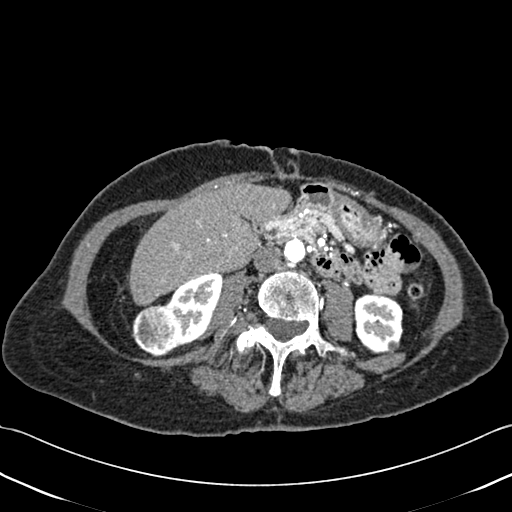
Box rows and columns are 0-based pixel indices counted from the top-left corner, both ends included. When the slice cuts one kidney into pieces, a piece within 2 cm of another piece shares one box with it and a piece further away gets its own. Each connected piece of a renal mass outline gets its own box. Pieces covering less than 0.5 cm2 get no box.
Slice 190/433 of a contrast-enhanced abdominal CT, counting up from the lowest; pixel size 0.672 mm, slice thickness 1.00 mm. Two kidney boxes and one renal mass box on this slice; by box centre, from the image's left to its right: (1) Box rows 304–356, columns 132–178: right renal mass (outlined area 1,884 px, about 8.5 cm2). (2) Box rows 272–348, columns 165–222: right kidney (outlined area 2,612 px, about 11.8 cm2). (3) Box rows 293–353, columns 354–403: left kidney (outlined area 2,475 px, about 11.2 cm2).
Acquired at 120 kVp and reconstructed with the B30f kernel.